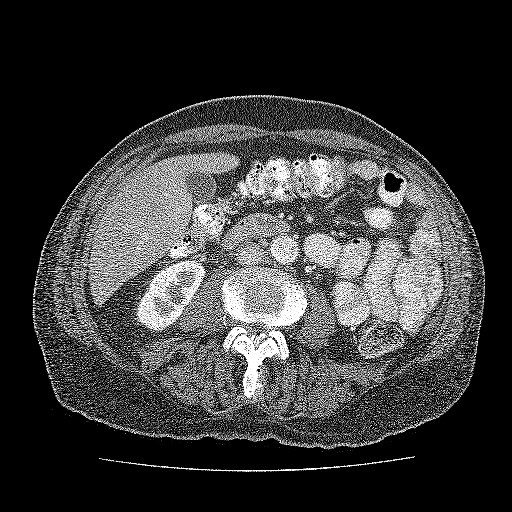
One axial slice (81 of 137, counting up from the lowest) of a contrast-enhanced abdominal CT acquired with 120 kVp, kernel FC52; each pixel is 0.741 mm and the slice is 3.00 mm thick.
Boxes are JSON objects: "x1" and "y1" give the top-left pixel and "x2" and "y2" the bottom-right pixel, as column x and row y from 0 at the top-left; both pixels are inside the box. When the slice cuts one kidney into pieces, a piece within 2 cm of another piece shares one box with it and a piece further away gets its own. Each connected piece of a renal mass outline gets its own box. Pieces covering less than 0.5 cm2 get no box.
Kidney at {"x1": 135, "y1": 260, "x2": 206, "y2": 332} (outlined area 3,263 px, about 17.9 cm2). No renal mass is outlined on this slice.